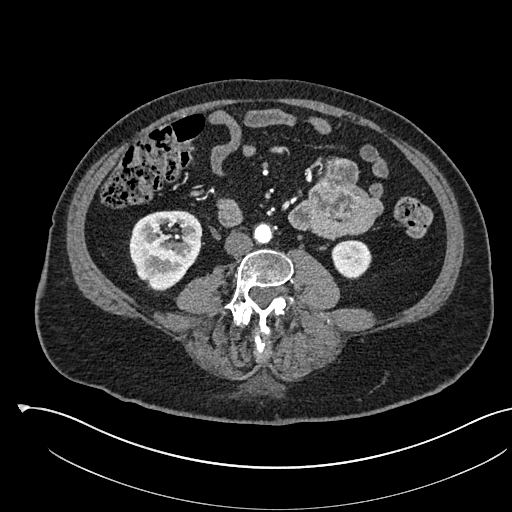
Arterial-phase contrast-enhanced abdominal CT, axial slice 230 of 541 (counted from the lowest slice); tube voltage 120 kVp, convolution kernel I30f; slices 1.00 mm thick, 0.834 mm per pixel.
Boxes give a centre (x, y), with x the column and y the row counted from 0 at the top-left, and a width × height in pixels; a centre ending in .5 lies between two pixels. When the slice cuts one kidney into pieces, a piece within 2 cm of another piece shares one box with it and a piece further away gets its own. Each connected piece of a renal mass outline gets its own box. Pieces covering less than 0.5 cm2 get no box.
Boxed on this slice (two kidney boxes), listed by box centre from the image's left to its right: (1) Box centre (165.5, 250.5), 74 × 82 pixels: right kidney (outlined area 4,519 px, about 31.4 cm2). (2) Left kidney, box centre (351, 259), 41 × 39 pixels (outlined area 1,241 px, about 8.6 cm2).